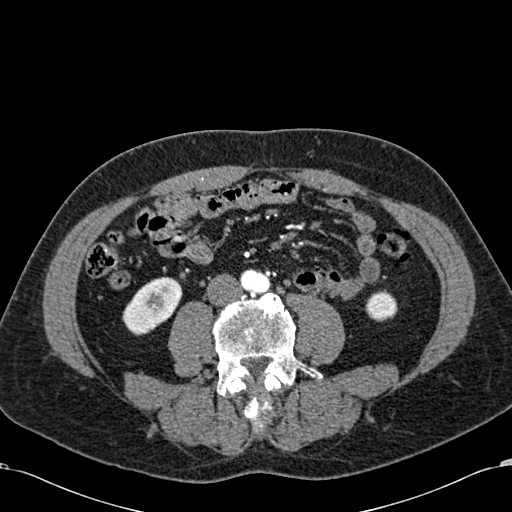
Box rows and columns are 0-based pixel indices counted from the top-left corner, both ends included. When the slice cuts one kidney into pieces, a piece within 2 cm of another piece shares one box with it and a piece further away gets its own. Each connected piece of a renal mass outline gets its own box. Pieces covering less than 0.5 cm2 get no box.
Arterial-phase contrast-enhanced abdominal CT, axial slice 216 of 581 (counted from the lowest slice); 1.00 mm thick, 0.713 mm per pixel. Two kidney boxes on this slice; by box centre, from the image's left to its right: (1) Box rows 277–335, columns 122–182: right kidney (outlined area 2,332 px, about 11.9 cm2). (2) Left kidney, box rows 289–321, columns 365–396 (outlined area 781 px, about 4.0 cm2). No renal mass outline on this slice.
Tube voltage 120 kVp; convolution kernel B30f.